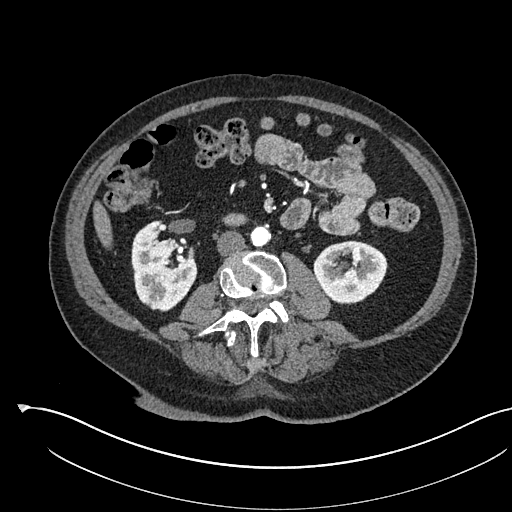
Arterial-phase contrast-enhanced abdominal CT, axial slice 265 of 541 (counted from the lowest slice); tube voltage 120 kVp, convolution kernel I30f; slices 1.00 mm thick, 0.834 mm per pixel.
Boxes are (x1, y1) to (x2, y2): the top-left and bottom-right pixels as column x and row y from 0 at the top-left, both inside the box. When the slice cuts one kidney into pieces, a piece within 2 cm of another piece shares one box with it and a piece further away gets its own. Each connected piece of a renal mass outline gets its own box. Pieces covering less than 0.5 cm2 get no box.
Two kidney boxes on this slice; by box centre, from the image's left to its right: (1) Box (131, 221) to (197, 311): right kidney (outlined area 4,143 px, about 28.8 cm2). (2) Left kidney from (313, 240) to (387, 304) (outlined area 3,586 px, about 24.9 cm2). No renal mass is outlined on this slice.